One axial slice (193 of 261, counting up from the lowest) of an arterial-phase abdominal CT acquired with 120 kVp, kernel I30f; each pixel is 0.939 mm and the slice is 2.00 mm thick.
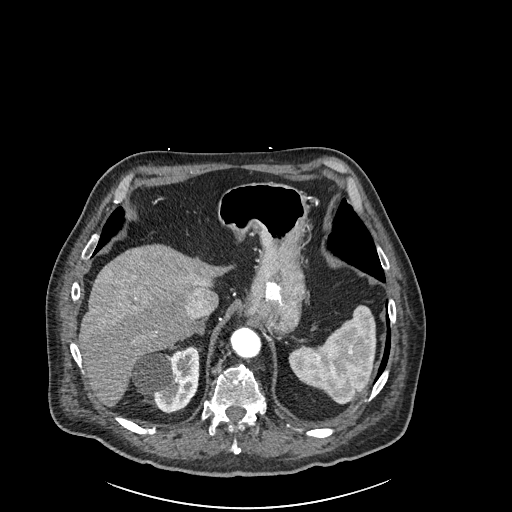
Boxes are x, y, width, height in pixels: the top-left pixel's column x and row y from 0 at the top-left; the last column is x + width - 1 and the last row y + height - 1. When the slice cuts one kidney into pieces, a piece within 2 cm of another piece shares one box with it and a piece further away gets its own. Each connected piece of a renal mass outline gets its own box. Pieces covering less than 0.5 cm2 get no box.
Right kidney, box x 131, y 346, width 69, height 68 (outlined area 3,277 px, about 28.9 cm2). No renal mass is outlined on this slice.